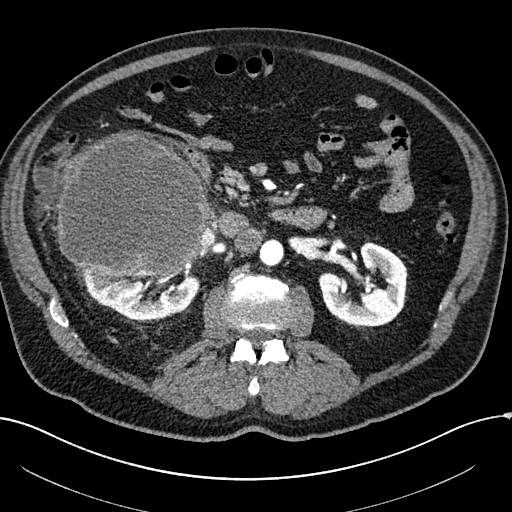
Abdominal CT with intravenous contrast, arterial phase, axial plane, 100 kVp, kernel I30f. Slice 114/304 from the bottom of the scan; thickness 2.00 mm; pixel size 0.809 mm.
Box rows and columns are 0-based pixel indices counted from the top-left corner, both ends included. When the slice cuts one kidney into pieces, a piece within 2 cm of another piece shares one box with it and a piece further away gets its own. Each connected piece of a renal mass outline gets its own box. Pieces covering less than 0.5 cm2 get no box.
Boxed on this slice (two kidney boxes and one renal mass box), listed by box centre from the image's left to its right: (1) Right renal mass at rows 130–277, columns 57–206 (outlined area 18,025 px, about 117.9 cm2). (2) Right kidney at rows 255–320, columns 74–201 (outlined area 4,220 px, about 27.6 cm2). (3) Box rows 242–330, columns 318–407: left kidney (outlined area 5,104 px, about 33.4 cm2).